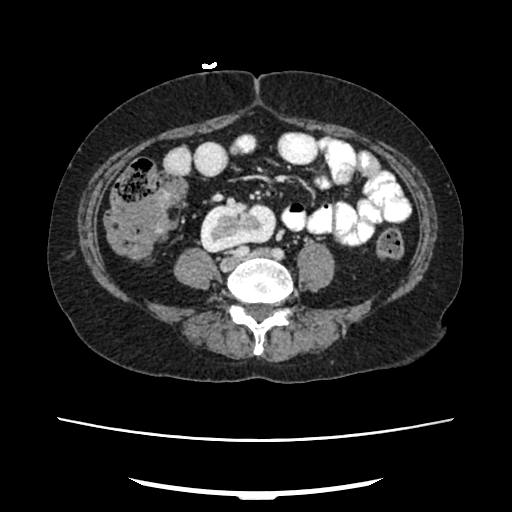
One axial slice (98 of 207, counting up from the lowest) of an arterial-phase abdominal CT acquired with 120 kVp, kernel FC18; each pixel is 0.741 mm and the slice is 2.00 mm thick.
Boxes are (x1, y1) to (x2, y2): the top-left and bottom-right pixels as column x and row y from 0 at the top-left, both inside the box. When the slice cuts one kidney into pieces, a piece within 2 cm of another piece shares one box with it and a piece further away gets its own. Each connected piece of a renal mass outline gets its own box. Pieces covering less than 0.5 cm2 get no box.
Right kidney from (200, 203) to (276, 252) (outlined area 2,987 px, about 16.4 cm2). This slice carries no renal mass outline.